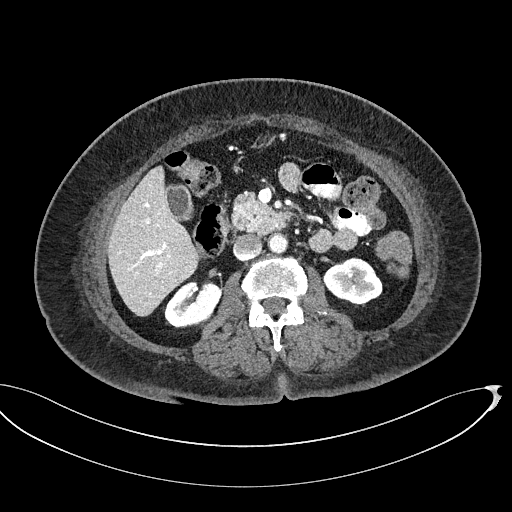
Axial slice 284 of 439 of a contrast-enhanced abdominal CT (slice 1 is the lowest), 100 kVp, kernel I40f; 2.00 mm slice thickness and 0.850 mm pixels.
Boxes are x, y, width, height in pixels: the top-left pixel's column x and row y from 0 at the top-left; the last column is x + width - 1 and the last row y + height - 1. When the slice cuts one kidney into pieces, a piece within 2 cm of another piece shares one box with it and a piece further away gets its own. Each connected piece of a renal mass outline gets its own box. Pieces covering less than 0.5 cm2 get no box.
Two boxes on this slice (two kidney boxes), listed by box centre from the image's left to its right. (1) Box x 164, y 279, width 58, height 50: right kidney (outlined area 1,983 px, about 14.3 cm2). (2) Left kidney at x 323, y 257, width 60, height 50 (outlined area 2,065 px, about 14.9 cm2). No renal mass is outlined on this slice.